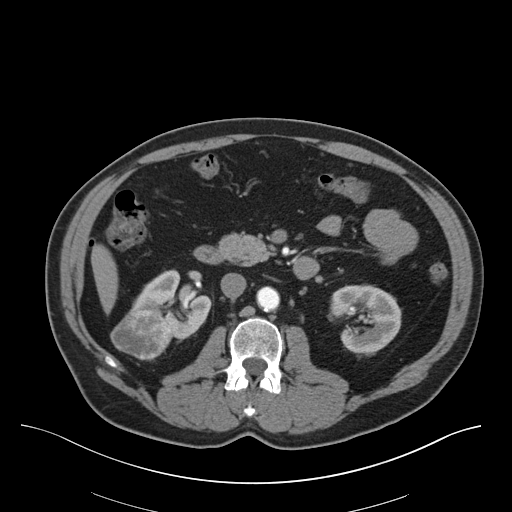
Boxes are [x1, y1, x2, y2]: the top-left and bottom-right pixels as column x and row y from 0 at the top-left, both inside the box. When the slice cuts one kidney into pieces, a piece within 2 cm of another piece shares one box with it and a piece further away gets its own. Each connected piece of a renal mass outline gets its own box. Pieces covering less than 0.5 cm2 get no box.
Slice 30/75 of a contrast-enhanced abdominal CT, counting up from the lowest; pixel size 0.875 mm, slice thickness 3.00 mm. Boxed on this slice (two kidney boxes and one renal mass box), listed by box centre from the image's left to its right: (1) Right renal mass, box [110, 306, 172, 360] (outlined area 2,401 px, about 18.4 cm2). (2) Right kidney, box [132, 269, 211, 342] (outlined area 3,014 px, about 23.1 cm2). (3) Box [328, 284, 401, 357]: left kidney (outlined area 3,740 px, about 28.6 cm2).
Scan settings: 140 kVp, B30f reconstruction kernel.